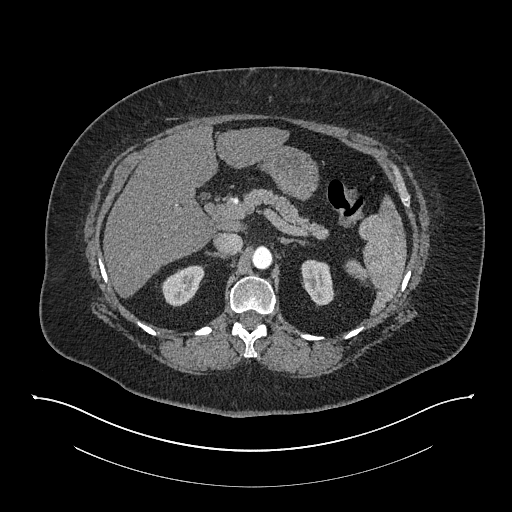
Abdominal CT with intravenous contrast, arterial phase, axial plane, 140 kVp, kernel I30f. Slice 555/673 from the bottom of the scan; thickness 1.00 mm; pixel size 0.957 mm.
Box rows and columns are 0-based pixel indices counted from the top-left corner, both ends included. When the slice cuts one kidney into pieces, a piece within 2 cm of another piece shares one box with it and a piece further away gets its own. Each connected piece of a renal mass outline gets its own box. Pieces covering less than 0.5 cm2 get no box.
Boxed on this slice (two kidney boxes), listed by box centre from the image's left to its right: (1) Box rows 265–307, columns 161–204: right kidney (outlined area 1,238 px, about 11.3 cm2). (2) Box rows 259–306, columns 300–334: left kidney (outlined area 1,202 px, about 11.0 cm2). No renal mass is outlined on this slice.